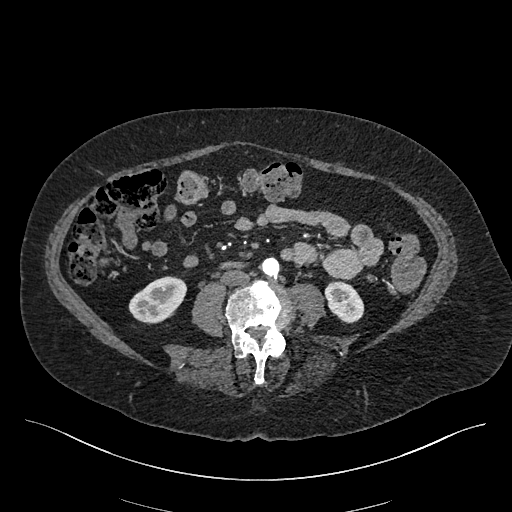
Abdominal CT with intravenous contrast, arterial phase, axial plane, 120 kVp, kernel I26f. Slice 165/548 from the bottom of the scan; thickness 1.00 mm; pixel size 0.852 mm.
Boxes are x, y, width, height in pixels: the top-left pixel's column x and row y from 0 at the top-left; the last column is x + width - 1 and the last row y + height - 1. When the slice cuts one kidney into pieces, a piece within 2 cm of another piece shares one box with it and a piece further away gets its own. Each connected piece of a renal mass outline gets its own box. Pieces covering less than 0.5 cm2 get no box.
Boxed on this slice (two kidney boxes), listed by box centre from the image's left to its right: (1) Box x 128, y 276, width 59, height 48: right kidney (outlined area 1,941 px, about 14.1 cm2). (2) Box x 324, y 281, width 41, height 43: left kidney (outlined area 1,247 px, about 9.0 cm2). No renal mass is outlined on this slice.